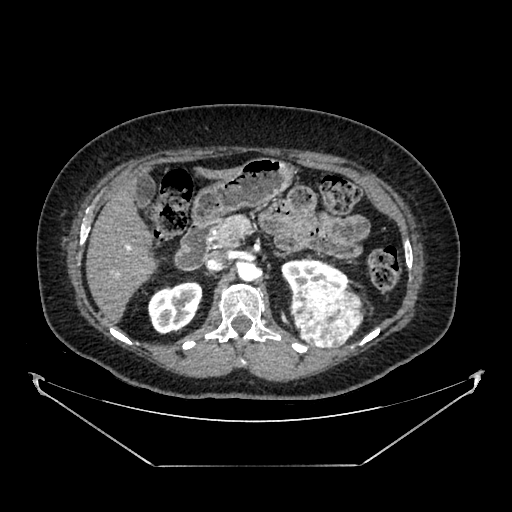
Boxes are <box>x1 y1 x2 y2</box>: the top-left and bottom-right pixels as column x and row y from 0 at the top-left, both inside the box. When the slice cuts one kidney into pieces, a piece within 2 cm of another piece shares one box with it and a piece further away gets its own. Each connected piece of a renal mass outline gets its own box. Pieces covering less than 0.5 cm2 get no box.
This is axial slice 253 of 383 (slice 1 is the lowest) of an arterial-phase abdominal CT with contrast; each pixel is 0.898 mm and the slice is 1.25 mm thick. Two kidney boxes and one renal mass box on this slice; by box centre, from the image's left to its right: (1) Right kidney at <box>147 280 202 334</box> (outlined area 2,181 px, about 17.6 cm2). (2) Left kidney at <box>281 258 347 291</box> (outlined area 1,390 px, about 11.2 cm2). (3) At <box>291 281 363 348</box>: left renal mass (outlined area 3,892 px, about 31.4 cm2).
Scan settings: 100 kVp, SOFT reconstruction kernel.